Arterial-phase contrast-enhanced abdominal CT, axial slice 68 of 227 (counted from the lowest slice); tube voltage 120 kVp, convolution kernel I31f; slices 3.00 mm thick, 0.816 mm per pixel.
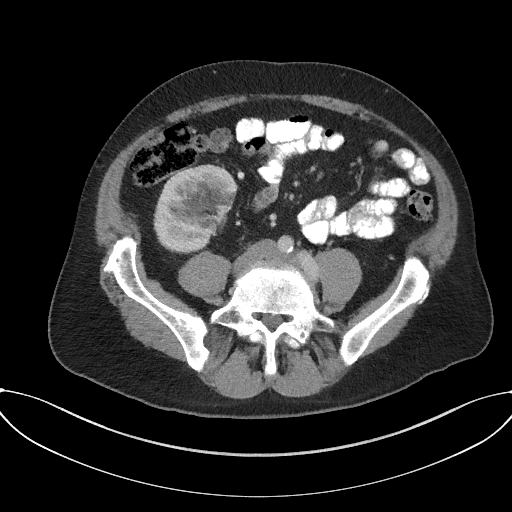
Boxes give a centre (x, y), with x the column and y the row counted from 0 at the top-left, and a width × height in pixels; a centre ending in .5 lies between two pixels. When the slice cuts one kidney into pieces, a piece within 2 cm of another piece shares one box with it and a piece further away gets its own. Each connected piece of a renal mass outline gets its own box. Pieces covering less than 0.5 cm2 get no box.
Right kidney, box centre (195, 208.5), 85 × 90 pixels (outlined area 5,540 px, about 36.9 cm2). No renal mass is outlined on this slice.